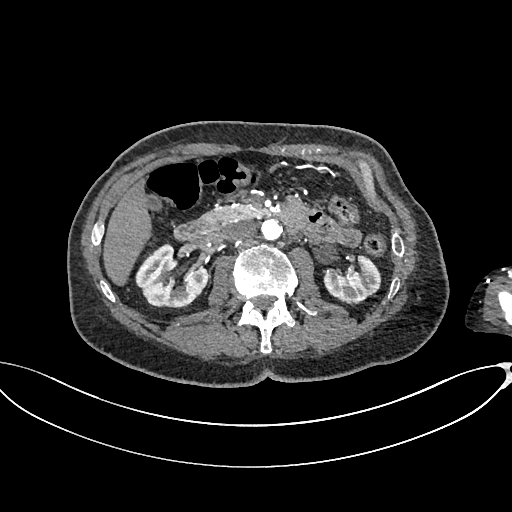
Axial slice 392 of 665 of a contrast-enhanced abdominal CT in the arterial phase (slice 1 is the lowest), 100 kVp, kernel I26f; 1.00 mm slice thickness and 0.828 mm pixels.
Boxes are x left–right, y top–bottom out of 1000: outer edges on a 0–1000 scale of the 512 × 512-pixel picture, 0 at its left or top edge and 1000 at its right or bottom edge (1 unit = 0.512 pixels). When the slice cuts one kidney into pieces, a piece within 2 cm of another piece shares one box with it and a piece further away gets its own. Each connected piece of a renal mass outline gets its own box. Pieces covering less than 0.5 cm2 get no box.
Boxed on this slice (two kidney boxes), listed by box centre from the image's left to its right: (1) Right kidney, box x 264–408, y 475–604 out of 1000 (outlined area 3,237 px, about 22.2 cm2). (2) Box x 633–746, y 496–598 out of 1000: left kidney (outlined area 1,994 px, about 13.7 cm2). This slice carries no renal mass outline.